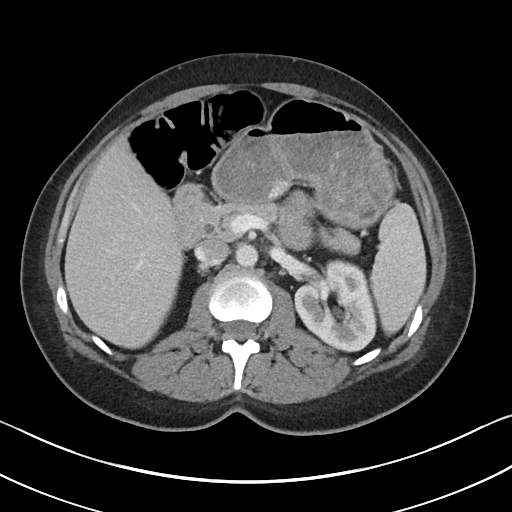
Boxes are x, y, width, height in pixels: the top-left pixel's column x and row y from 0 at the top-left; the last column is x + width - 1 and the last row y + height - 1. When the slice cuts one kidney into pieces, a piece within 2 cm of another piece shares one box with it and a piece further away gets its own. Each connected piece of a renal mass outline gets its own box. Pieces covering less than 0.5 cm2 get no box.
Arterial-phase contrast-enhanced abdominal CT, axial slice 66 of 90 (counted from the lowest slice); 5.00 mm thick, 0.703 mm per pixel. Box x 294, y 259, width 83, height 94: left kidney (outlined area 5,614 px, about 27.8 cm2). No renal mass outline on this slice.
Tube voltage 100 kVp; convolution kernel I40f.